Abdominal CT with intravenous contrast, arterial phase, axial plane, 100 kVp, kernel I40f. Slice 67/90 from the bottom of the scan; thickness 5.00 mm; pixel size 0.703 mm.
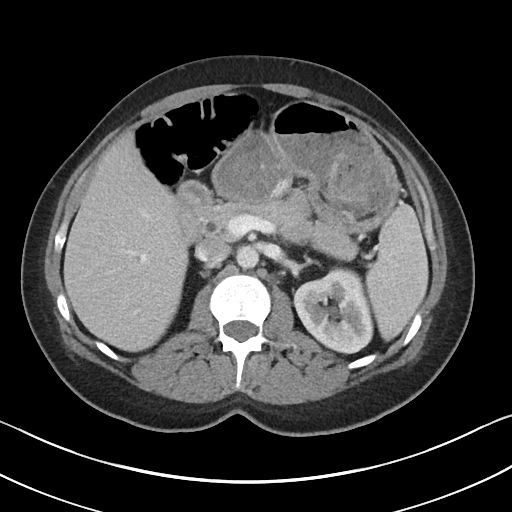
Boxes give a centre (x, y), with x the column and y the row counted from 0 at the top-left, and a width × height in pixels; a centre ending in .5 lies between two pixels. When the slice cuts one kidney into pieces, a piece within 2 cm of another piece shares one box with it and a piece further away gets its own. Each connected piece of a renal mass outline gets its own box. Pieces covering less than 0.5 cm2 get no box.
Box centre (333, 310.5), 81 × 88 pixels: left kidney (outlined area 5,053 px, about 25.0 cm2). This slice carries no renal mass outline.